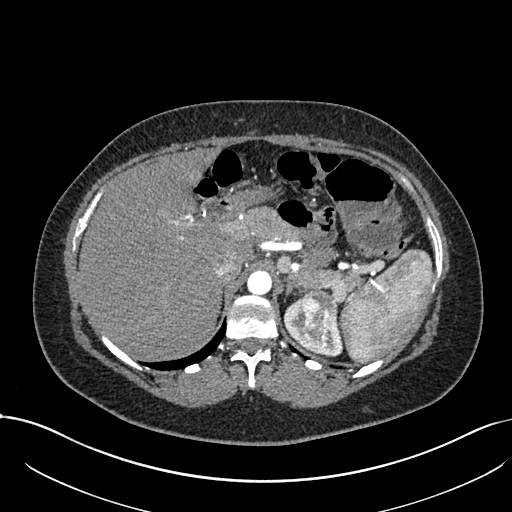
One axial slice (548 of 738, counting up from the lowest) of an arterial-phase abdominal CT acquired with 120 kVp, kernel I30f; each pixel is 0.789 mm and the slice is 1.00 mm thick.
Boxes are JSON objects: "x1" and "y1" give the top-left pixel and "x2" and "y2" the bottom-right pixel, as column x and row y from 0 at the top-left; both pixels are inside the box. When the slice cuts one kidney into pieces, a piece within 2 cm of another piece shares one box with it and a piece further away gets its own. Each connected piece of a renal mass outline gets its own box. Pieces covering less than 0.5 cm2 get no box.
Two boxes on this slice (one kidney box and one renal mass box), listed by box centre from the image's left to its right. (1) Left kidney, box {"x1": 284, "y1": 299, "x2": 341, "y2": 356} (outlined area 1,284 px, about 8.0 cm2). (2) Left renal mass at {"x1": 299, "y1": 289, "x2": 336, "y2": 344} (outlined area 1,606 px, about 10.0 cm2).